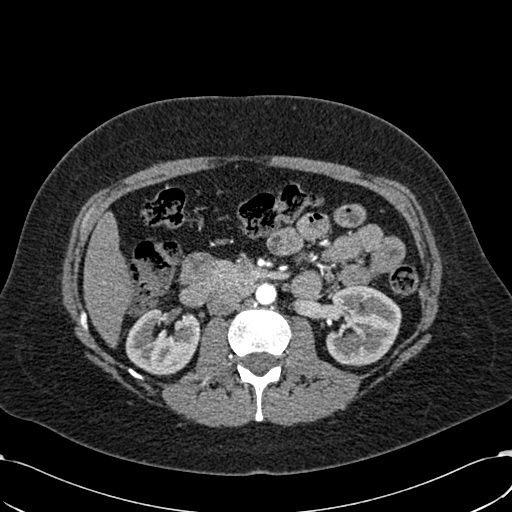
Abdominal CT with intravenous contrast, arterial phase, axial plane, 120 kVp, kernel B30f. Slice 343/532 from the bottom of the scan; thickness 1.00 mm; pixel size 0.713 mm.
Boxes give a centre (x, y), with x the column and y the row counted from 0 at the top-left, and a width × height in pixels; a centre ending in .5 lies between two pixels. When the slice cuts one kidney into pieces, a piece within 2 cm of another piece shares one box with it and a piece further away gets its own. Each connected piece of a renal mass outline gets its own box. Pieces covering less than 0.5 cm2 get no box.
Boxed on this slice (two kidney boxes), listed by box centre from the image's left to its right: (1) Box centre (162.5, 340.5), 76 × 70 pixels: right kidney (outlined area 3,784 px, about 19.2 cm2). (2) Left kidney in a box with centre (363.5, 325), 76 × 83 pixels (outlined area 4,862 px, about 24.7 cm2). This slice carries no renal mass outline.